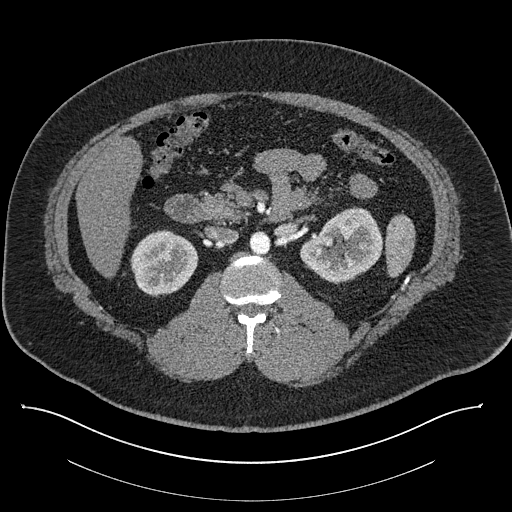
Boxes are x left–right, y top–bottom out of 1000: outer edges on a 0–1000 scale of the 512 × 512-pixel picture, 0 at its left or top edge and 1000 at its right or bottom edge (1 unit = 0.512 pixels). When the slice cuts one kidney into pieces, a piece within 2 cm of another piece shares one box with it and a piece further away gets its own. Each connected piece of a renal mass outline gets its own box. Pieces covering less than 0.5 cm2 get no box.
Contrast-enhanced abdominal CT, axial slice 505 of 787 (counted from the lowest slice); 1.00 mm thick, 0.910 mm per pixel. Two boxes on this slice (two kidney boxes), listed by box centre from the image's left to its right. (1) Right kidney at x 254–389, y 447–582 out of 1000 (outlined area 3,431 px, about 28.4 cm2). (2) Box x 586–750, y 402–557 out of 1000: left kidney (outlined area 4,396 px, about 36.4 cm2). No renal mass outline on this slice.
Tube voltage 140 kVp; convolution kernel I30f.